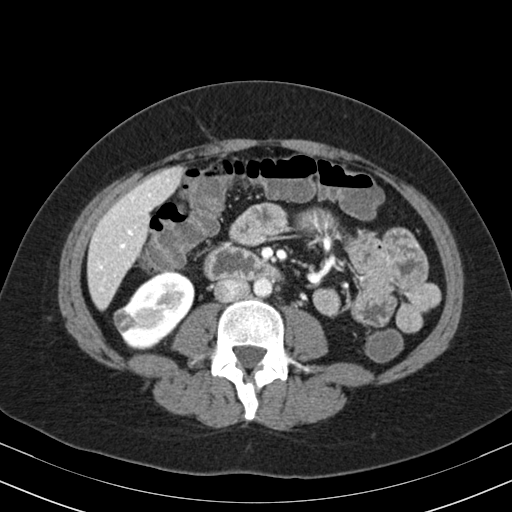
Arterial-phase contrast-enhanced abdominal CT, axial slice 96 of 164 (counted from the lowest slice); tube voltage 130 kVp, convolution kernel B30s; slices 3.00 mm thick, 0.664 mm per pixel.
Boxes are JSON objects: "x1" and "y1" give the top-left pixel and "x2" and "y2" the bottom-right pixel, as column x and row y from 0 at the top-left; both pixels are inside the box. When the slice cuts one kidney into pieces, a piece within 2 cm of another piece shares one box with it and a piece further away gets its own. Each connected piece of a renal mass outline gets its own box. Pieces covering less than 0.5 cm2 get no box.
One kidney box and one renal mass box on this slice; by box centre, from the image's left to its right: (1) Right renal mass at {"x1": 113, "y1": 308, "x2": 136, "y2": 332} (outlined area 394 px, about 1.7 cm2). (2) Box {"x1": 118, "y1": 272, "x2": 194, "y2": 349}: right kidney (outlined area 3,808 px, about 16.8 cm2).